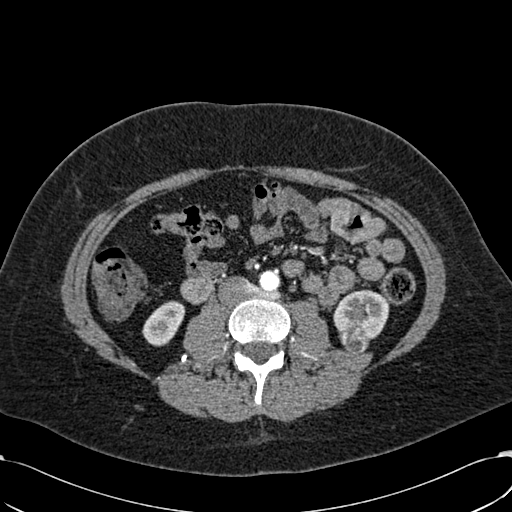
Abdominal CT with intravenous contrast, arterial phase, axial plane, 120 kVp, kernel B30f. Slice 279/532 from the bottom of the scan; thickness 1.00 mm; pixel size 0.713 mm.
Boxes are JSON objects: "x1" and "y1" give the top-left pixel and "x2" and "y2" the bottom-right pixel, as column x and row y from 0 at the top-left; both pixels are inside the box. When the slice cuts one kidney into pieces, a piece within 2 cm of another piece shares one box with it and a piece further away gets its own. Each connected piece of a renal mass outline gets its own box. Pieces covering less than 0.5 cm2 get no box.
Two kidney boxes and one renal mass box on this slice; by box centre, from the image's left to its right: (1) Box {"x1": 142, "y1": 300, "x2": 185, "y2": 346}: right kidney (outlined area 1,341 px, about 6.8 cm2). (2) Left renal mass, box {"x1": 339, "y1": 325, "x2": 369, "y2": 354} (outlined area 651 px, about 3.3 cm2). (3) Left kidney at {"x1": 333, "y1": 289, "x2": 390, "y2": 339} (outlined area 1,981 px, about 10.1 cm2).